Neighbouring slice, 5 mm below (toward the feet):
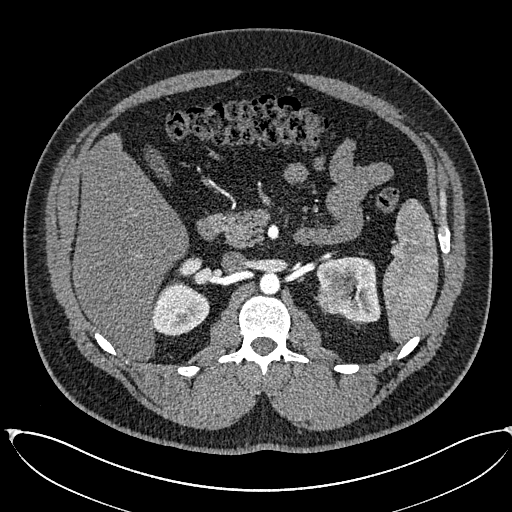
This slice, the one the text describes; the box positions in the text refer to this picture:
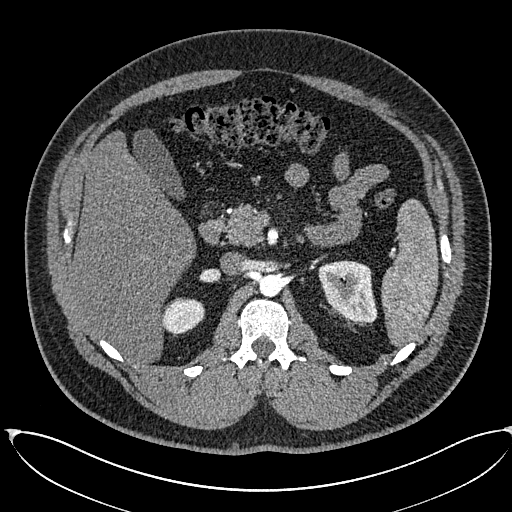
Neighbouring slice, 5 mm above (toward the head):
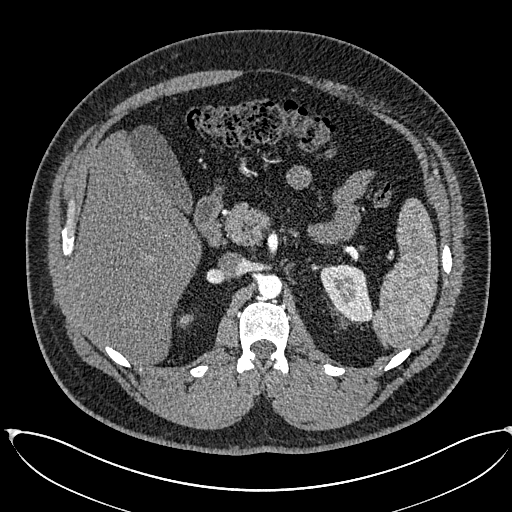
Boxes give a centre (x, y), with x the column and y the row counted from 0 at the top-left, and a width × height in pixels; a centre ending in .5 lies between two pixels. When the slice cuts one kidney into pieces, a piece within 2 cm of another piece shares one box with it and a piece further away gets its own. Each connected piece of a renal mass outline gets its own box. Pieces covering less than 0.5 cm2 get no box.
Slice 399/673 of a contrast-enhanced abdominal CT in the arterial phase, counting up from the lowest; pixel size 0.855 mm, slice thickness 1.00 mm. Two kidney boxes and one renal mass box on this slice; by box centre, from the image's left to its right: (1) Right kidney, box centre (183, 315.5), 43 × 38 pixels (outlined area 1,234 px, about 9.0 cm2). (2) Box centre (331, 302.5), 11 × 10 pixels: left renal mass (outlined area 78 px, about 0.6 cm2). (3) Box centre (347.5, 291.5), 60 × 64 pixels: left kidney (outlined area 2,730 px, about 20.0 cm2). This slice lies near the end of the left renal mass toward the head; the slices 5 mm below and 5 mm above it are shown too, and the boxes mark positions on this slice only.
Scan settings: 120 kVp, I30f reconstruction kernel.